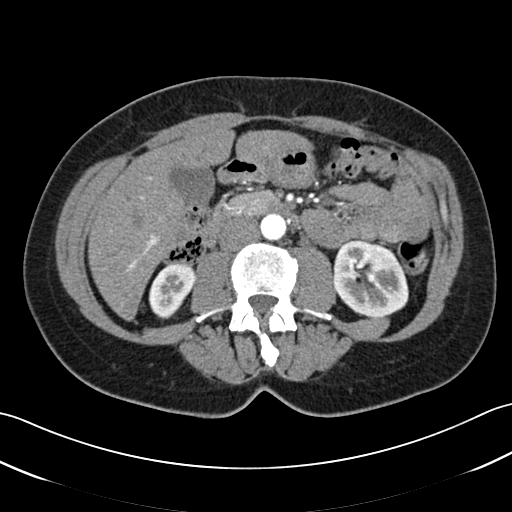
Arterial-phase contrast-enhanced abdominal CT, axial slice 15 of 52 (counted from the lowest slice); tube voltage 120 kVp, convolution kernel B30f; slices 3.00 mm thick, 0.678 mm per pixel.
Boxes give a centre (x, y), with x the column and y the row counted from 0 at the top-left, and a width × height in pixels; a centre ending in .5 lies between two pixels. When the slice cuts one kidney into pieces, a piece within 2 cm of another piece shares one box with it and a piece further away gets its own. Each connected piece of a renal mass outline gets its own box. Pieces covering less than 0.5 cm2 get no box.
Two boxes on this slice (two kidney boxes), listed by box centre from the image's left to its right. (1) Right kidney, box centre (171.5, 291), 48 × 57 pixels (outlined area 1,865 px, about 8.6 cm2). (2) Left kidney, box centre (370, 277), 77 × 79 pixels (outlined area 4,706 px, about 21.6 cm2). This slice carries no renal mass outline.